Abdominal CT with intravenous contrast, arterial phase, axial plane, 120 kVp, kernel B30f. Slice 58/99 from the bottom of the scan; thickness 5.00 mm; pixel size 0.693 mm.
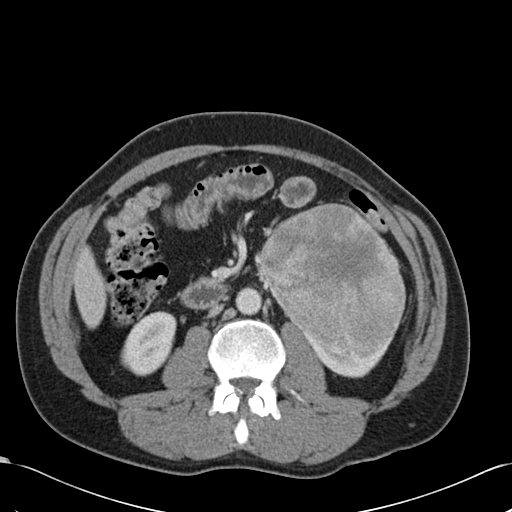
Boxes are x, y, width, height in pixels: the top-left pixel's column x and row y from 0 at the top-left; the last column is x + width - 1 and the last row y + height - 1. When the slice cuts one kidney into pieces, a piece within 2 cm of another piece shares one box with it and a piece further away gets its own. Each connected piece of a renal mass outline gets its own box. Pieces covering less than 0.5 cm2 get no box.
Three boxes on this slice (two kidney boxes and one renal mass box), listed by box centre from the image's left to its right. (1) Right kidney at x 120, y 311, width 57, height 66 (outlined area 2,643 px, about 12.7 cm2). (2) Left renal mass, box x 257, y 203, width 149, height 155 (outlined area 16,364 px, about 78.7 cm2). (3) Left kidney at x 302, y 325, width 97, height 54 (outlined area 1,362 px, about 6.5 cm2).